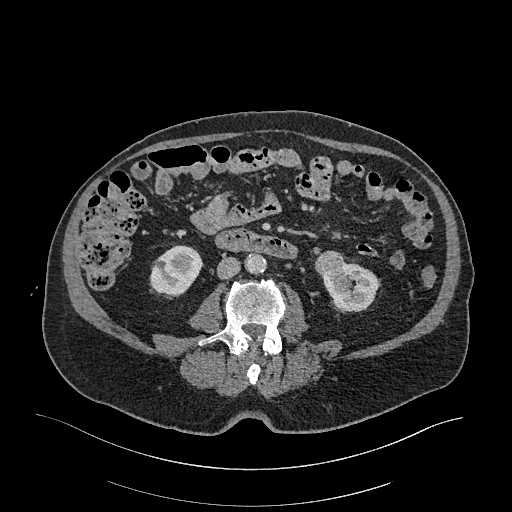
Axial slice 94 of 470 of a contrast-enhanced abdominal CT in the arterial phase (slice 1 is the lowest), 120 kVp, kernel I26f; 1.00 mm slice thickness and 0.938 mm pixels.
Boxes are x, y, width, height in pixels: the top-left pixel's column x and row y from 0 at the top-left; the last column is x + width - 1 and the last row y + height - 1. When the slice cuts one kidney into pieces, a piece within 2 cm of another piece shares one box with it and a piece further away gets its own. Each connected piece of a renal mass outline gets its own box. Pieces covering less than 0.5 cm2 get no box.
Boxed on this slice (two kidney boxes and one renal mass box), listed by box centre from the image's left to its right: (1) Right kidney, box x 149, y 245, width 55, height 51 (outlined area 2,036 px, about 17.9 cm2). (2) Left renal mass, box x 315, y 250, width 30, height 30 (outlined area 683 px, about 6.0 cm2). (3) Box x 321, y 262, width 59, height 50: left kidney (outlined area 1,914 px, about 16.8 cm2).